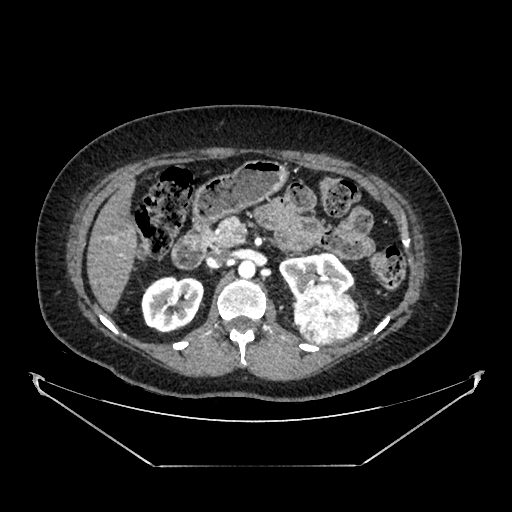
Arterial-phase contrast-enhanced abdominal CT, axial slice 246 of 383 (counted from the lowest slice); tube voltage 100 kVp, convolution kernel SOFT; slices 1.25 mm thick, 0.898 mm per pixel.
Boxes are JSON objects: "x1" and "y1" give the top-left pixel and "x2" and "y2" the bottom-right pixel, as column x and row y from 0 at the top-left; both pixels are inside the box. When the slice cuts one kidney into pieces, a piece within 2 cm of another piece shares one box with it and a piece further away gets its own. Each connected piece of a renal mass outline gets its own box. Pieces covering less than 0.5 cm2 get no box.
Two kidney boxes and one renal mass box on this slice; by box centre, from the image's left to its right: (1) Box {"x1": 141, "y1": 276, "x2": 204, "y2": 332}: right kidney (outlined area 2,836 px, about 22.9 cm2). (2) Left kidney, box {"x1": 279, "y1": 252, "x2": 353, "y2": 300} (outlined area 2,338 px, about 18.9 cm2). (3) Left renal mass at {"x1": 293, "y1": 287, "x2": 360, "y2": 345} (outlined area 3,128 px, about 25.2 cm2).